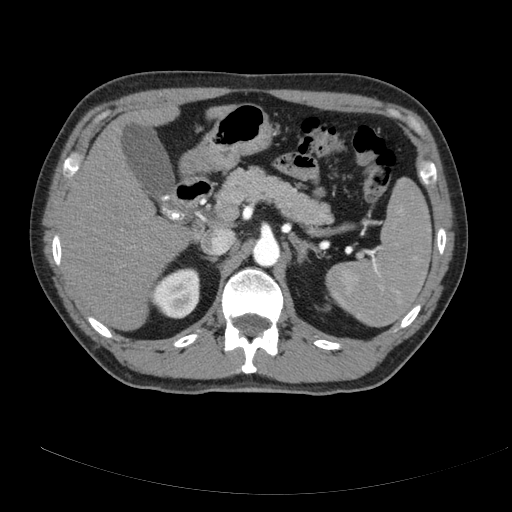
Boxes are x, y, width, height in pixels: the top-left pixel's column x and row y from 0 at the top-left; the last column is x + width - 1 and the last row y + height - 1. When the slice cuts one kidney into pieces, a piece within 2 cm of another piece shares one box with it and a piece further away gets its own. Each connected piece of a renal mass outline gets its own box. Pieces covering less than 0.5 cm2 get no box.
This is axial slice 125 of 178 (slice 1 is the lowest) of an abdominal CT with contrast; each pixel is 0.818 mm and the slice is 3.00 mm thick. Right kidney, box x 150, y 268, width 51, height 51 (outlined area 1,951 px, about 13.1 cm2). No renal mass is outlined on this slice.
Acquired at 120 kVp and reconstructed with the B kernel.